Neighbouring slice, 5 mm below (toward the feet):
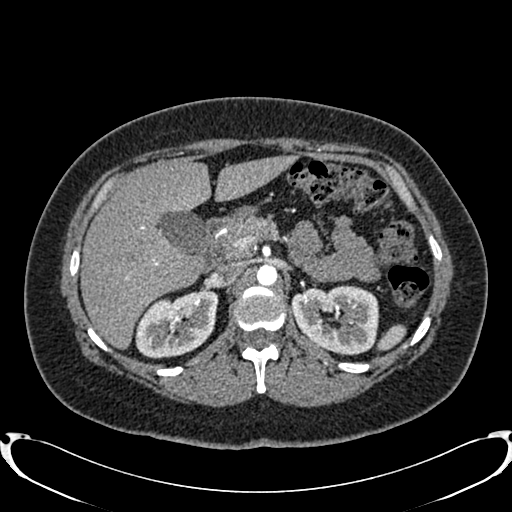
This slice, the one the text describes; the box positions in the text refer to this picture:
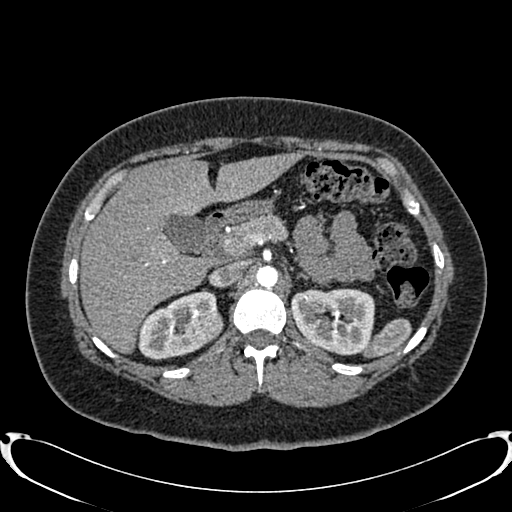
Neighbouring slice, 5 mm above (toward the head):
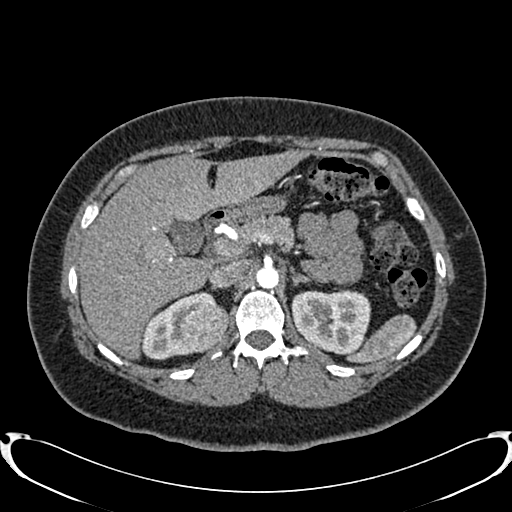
Arterial-phase contrast-enhanced abdominal CT, axial slice 546 of 719 (counted from the lowest slice); tube voltage 120 kVp, convolution kernel B20f; slices 1.00 mm thick, 0.766 mm per pixel.
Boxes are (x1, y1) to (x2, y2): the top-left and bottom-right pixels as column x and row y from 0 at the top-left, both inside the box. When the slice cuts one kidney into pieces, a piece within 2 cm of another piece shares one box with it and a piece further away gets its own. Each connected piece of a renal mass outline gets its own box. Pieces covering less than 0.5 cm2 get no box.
Boxed on this slice (two kidney boxes and one renal mass box), listed by box centre from the image's left to its right: (1) Box (136, 289) to (217, 360): right kidney (outlined area 3,206 px, about 18.8 cm2). (2) Right renal mass, box (185, 310) to (223, 344) (outlined area 1,009 px, about 5.9 cm2). (3) Box (291, 288) to (374, 355): left kidney (outlined area 4,534 px, about 26.6 cm2). This slice is near the end of the right renal mass toward the feet, so the slices 5 mm below and 5 mm above it are shown as well; the boxes refer to this slice only.